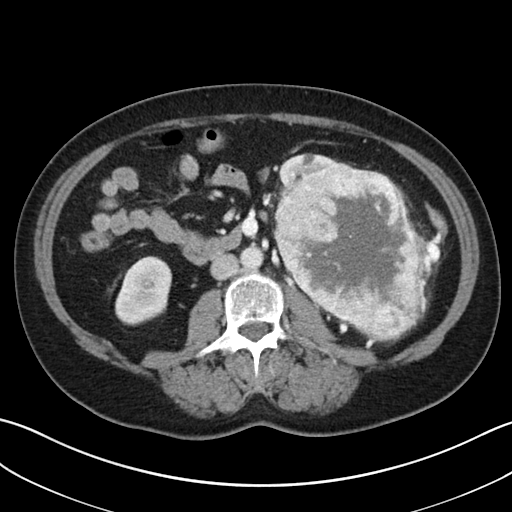
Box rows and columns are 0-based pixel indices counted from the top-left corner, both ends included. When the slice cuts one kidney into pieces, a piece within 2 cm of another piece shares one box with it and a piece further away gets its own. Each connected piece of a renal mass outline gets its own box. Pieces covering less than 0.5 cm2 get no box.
Contrast-enhanced abdominal CT, axial slice 11 of 38 (counted from the lowest slice); 5.00 mm thick, 0.730 mm per pixel. Three boxes on this slice (two kidney boxes and one renal mass box), listed by box centre from the image's left to its right. (1) Box rows 256–325, columns 115–171: right kidney (outlined area 2,990 px, about 16.0 cm2). (2) Left kidney at rows 153–193, columns 278–340 (outlined area 1,092 px, about 5.8 cm2). (3) Left renal mass, box rows 162–344, columns 272–439 (outlined area 20,506 px, about 109.4 cm2).
Tube voltage 100 kVp; convolution kernel I30f.